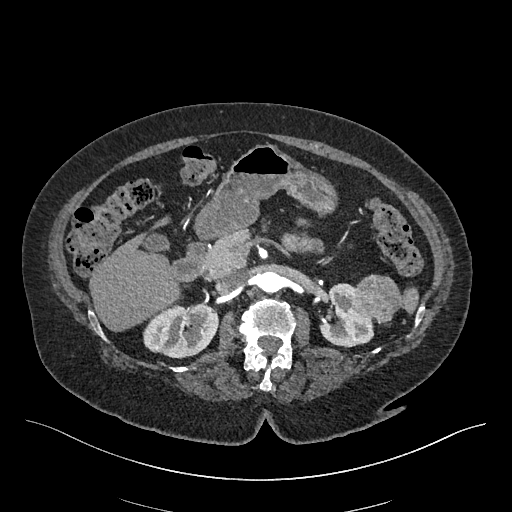
One axial slice (276 of 548, counting up from the lowest) of an arterial-phase abdominal CT acquired with 120 kVp, kernel I26f; each pixel is 0.852 mm and the slice is 1.00 mm thick.
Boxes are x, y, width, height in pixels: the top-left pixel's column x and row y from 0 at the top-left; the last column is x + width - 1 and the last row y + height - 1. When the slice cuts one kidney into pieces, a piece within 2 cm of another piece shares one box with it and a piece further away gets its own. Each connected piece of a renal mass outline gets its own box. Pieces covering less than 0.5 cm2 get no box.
Two kidney boxes and one renal mass box on this slice; by box centre, from the image's left to its right: (1) Box x 143, y 302, width 76, height 57: right kidney (outlined area 3,239 px, about 23.5 cm2). (2) Left kidney at x 319, y 283, width 56, height 65 (outlined area 2,280 px, about 16.5 cm2). (3) Box x 353, y 274, width 48, height 51: left renal mass (outlined area 1,840 px, about 13.3 cm2).